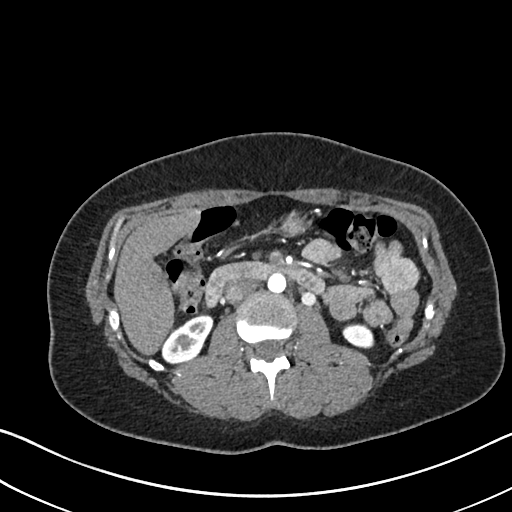
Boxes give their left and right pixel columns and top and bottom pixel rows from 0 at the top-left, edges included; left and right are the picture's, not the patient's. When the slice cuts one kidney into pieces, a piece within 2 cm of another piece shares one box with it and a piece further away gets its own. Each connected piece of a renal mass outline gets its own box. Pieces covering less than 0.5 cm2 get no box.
This is axial slice 378 of 612 (slice 1 is the lowest) of an arterial-phase abdominal CT with contrast; each pixel is 0.703 mm and the slice is 1.00 mm thick. Two boxes on this slice (two kidney boxes), listed by box centre from the image's left to its right. (1) Right kidney in the box with left 161, top 313, right 213, bottom 363 (outlined area 1,644 px, about 8.1 cm2). (2) Box with left 342, top 323, right 374, bottom 347: left kidney (outlined area 638 px, about 3.2 cm2). No renal mass is outlined on this slice.
Tube voltage 120 kVp; convolution kernel I30f.